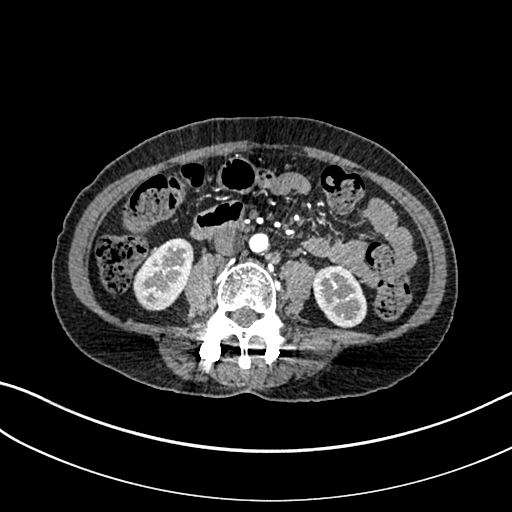
Abdominal CT with intravenous contrast, arterial phase, axial plane, 100 kVp, kernel I30f. Slice 86/325 from the bottom of the scan; thickness 1.00 mm; pixel size 0.703 mm.
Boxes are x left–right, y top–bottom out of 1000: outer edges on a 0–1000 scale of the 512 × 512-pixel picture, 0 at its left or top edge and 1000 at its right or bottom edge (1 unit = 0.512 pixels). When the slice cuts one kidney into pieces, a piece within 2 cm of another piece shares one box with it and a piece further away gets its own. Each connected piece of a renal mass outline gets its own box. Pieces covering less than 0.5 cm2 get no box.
Boxed on this slice (two kidney boxes), listed by box centre from the image's left to its right: (1) Right kidney, box x 260–379, y 463–607 out of 1000 (outlined area 3,121 px, about 15.4 cm2). (2) Left kidney, box x 611–719, y 518–643 out of 1000 (outlined area 2,589 px, about 12.8 cm2). This slice carries no renal mass outline.